Arterial-phase contrast-enhanced abdominal CT, axial slice 129 of 470 (counted from the lowest slice); tube voltage 120 kVp, convolution kernel I26f; slices 1.00 mm thick, 0.938 mm per pixel.
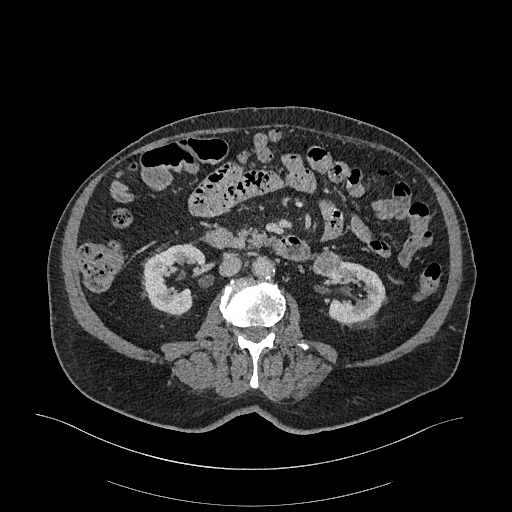
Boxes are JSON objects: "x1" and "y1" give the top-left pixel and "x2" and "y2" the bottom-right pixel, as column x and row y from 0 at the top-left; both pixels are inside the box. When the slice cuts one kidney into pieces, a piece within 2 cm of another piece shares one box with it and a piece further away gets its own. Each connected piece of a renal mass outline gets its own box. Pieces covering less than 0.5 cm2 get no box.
Boxed on this slice (two kidney boxes and one renal mass box), listed by box centre from the image's left to its right: (1) Box {"x1": 143, "y1": 243, "x2": 206, "y2": 316}: right kidney (outlined area 2,951 px, about 25.9 cm2). (2) Box {"x1": 310, "y1": 250, "x2": 342, "y2": 278}: left renal mass (outlined area 675 px, about 5.9 cm2). (3) Left kidney, box {"x1": 316, "y1": 261, "x2": 386, "y2": 323} (outlined area 2,623 px, about 23.1 cm2).